One axial slice (27 of 109, counting up from the lowest) of a contrast-enhanced abdominal CT acquired with 120 kVp, kernel I30f; each pixel is 0.742 mm and the slice is 3.00 mm thick.
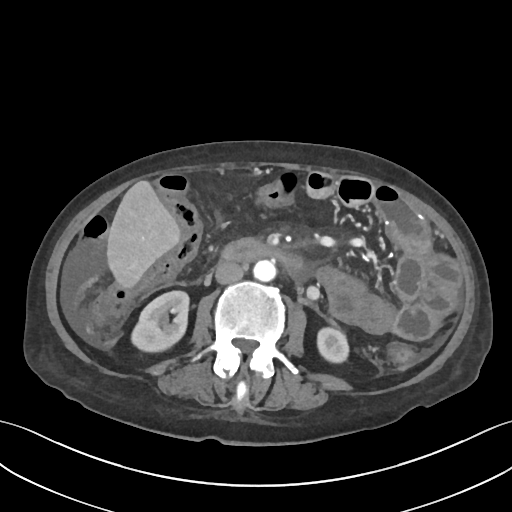
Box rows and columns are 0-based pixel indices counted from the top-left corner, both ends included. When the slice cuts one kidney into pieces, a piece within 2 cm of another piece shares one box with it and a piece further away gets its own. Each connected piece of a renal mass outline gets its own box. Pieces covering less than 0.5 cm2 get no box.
Two kidney boxes on this slice; by box centre, from the image's left to its right: (1) Right kidney, box rows 290–353, columns 130–189 (outlined area 2,748 px, about 15.1 cm2). (2) Box rows 326–363, columns 316–349: left kidney (outlined area 1,031 px, about 5.7 cm2). No renal mass outline on this slice.